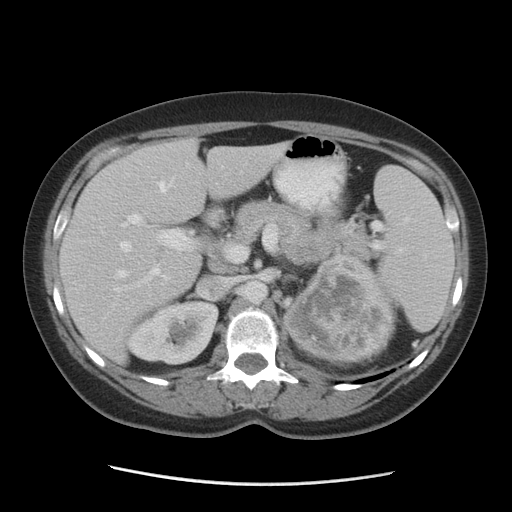
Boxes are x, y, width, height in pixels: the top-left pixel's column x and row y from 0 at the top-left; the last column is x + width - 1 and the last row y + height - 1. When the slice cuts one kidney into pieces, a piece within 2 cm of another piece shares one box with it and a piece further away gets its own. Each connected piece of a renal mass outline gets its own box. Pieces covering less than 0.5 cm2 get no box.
Slice 61/84 of a contrast-enhanced abdominal CT, counting up from the lowest; pixel size 0.717 mm, slice thickness 5.00 mm. Three boxes on this slice (two kidney boxes and one renal mass box), listed by box centre from the image's left to its right. (1) Right kidney, box x 126, y 299, width 93, height 67 (outlined area 4,392 px, about 22.6 cm2). (2) Left kidney, box x 282, y 253, width 95, height 111 (outlined area 2,561 px, about 13.2 cm2). (3) Left renal mass, box x 301, y 267, width 96, height 96 (outlined area 6,499 px, about 33.4 cm2).
Acquired at 140 kVp and reconstructed with the STANDARD kernel.